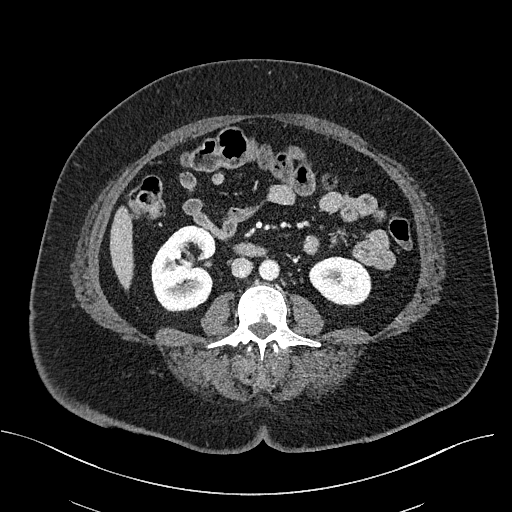
Axial slice 268 of 470 of a contrast-enhanced abdominal CT (slice 1 is the lowest), 100 kVp, kernel I40f; 2.00 mm slice thickness and 0.824 mm pixels.
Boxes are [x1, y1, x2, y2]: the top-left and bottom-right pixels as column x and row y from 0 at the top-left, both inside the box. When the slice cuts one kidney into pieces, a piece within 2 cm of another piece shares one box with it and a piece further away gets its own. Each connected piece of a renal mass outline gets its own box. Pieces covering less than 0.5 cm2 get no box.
Two kidney boxes on this slice; by box centre, from the image's left to its right: (1) Box [151, 225, 216, 311]: right kidney (outlined area 4,335 px, about 29.4 cm2). (2) Left kidney, box [309, 256, 371, 306] (outlined area 2,396 px, about 16.3 cm2). No renal mass is outlined on this slice.